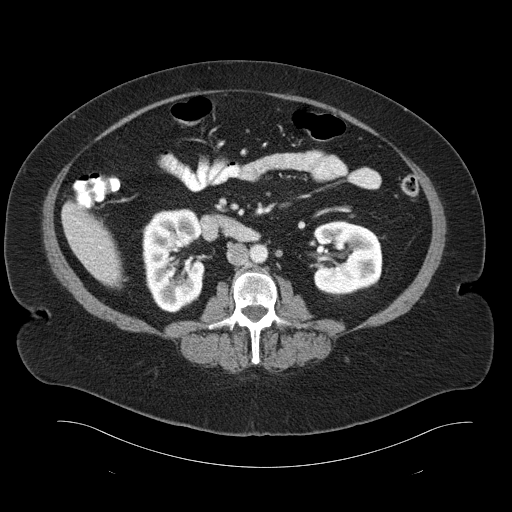
Contrast-enhanced abdominal CT, axial slice 54 of 93 (counted from the lowest slice); tube voltage 120 kVp, convolution kernel B30f; slices 5.00 mm thick, 0.938 mm per pixel.
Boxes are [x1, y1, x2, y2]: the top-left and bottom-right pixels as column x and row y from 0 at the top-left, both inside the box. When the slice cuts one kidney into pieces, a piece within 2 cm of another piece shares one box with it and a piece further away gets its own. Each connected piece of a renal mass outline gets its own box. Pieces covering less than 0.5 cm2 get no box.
Two boxes on this slice (two kidney boxes), listed by box centre from the image's left to its right. (1) Box [142, 208, 205, 312]: right kidney (outlined area 5,223 px, about 45.9 cm2). (2) Left kidney at [312, 220, 382, 297] (outlined area 4,466 px, about 39.3 cm2). No renal mass is outlined on this slice.